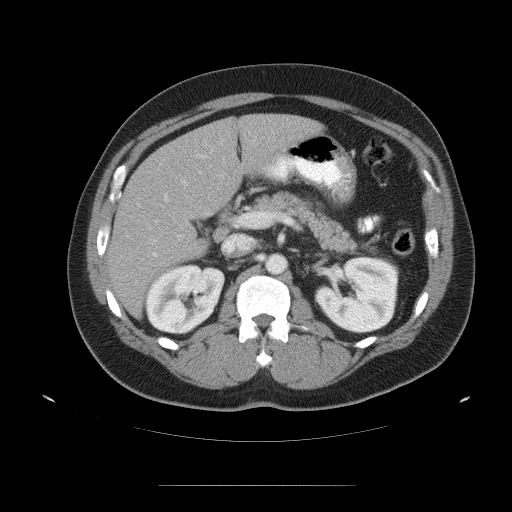
Abdominal CT with intravenous contrast, axial plane, 120 kVp, kernel STANDARD. Slice 72/99 from the bottom of the scan; thickness 5.00 mm; pixel size 0.938 mm.
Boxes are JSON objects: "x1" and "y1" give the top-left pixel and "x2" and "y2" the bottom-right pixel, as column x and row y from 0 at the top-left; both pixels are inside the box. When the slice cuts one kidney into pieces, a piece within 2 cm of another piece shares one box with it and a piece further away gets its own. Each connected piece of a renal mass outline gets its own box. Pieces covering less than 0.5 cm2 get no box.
Two kidney boxes on this slice; by box centre, from the image's left to its right: (1) Right kidney at {"x1": 146, "y1": 263, "x2": 224, "y2": 334} (outlined area 4,290 px, about 37.7 cm2). (2) Left kidney, box {"x1": 314, "y1": 255, "x2": 399, "y2": 333} (outlined area 5,013 px, about 44.1 cm2). No renal mass outline on this slice.